Arterial-phase contrast-enhanced abdominal CT, axial slice 682 of 987 (counted from the lowest slice); tube voltage 120 kVp, convolution kernel I26f; slices 1.00 mm thick, 0.977 mm per pixel.
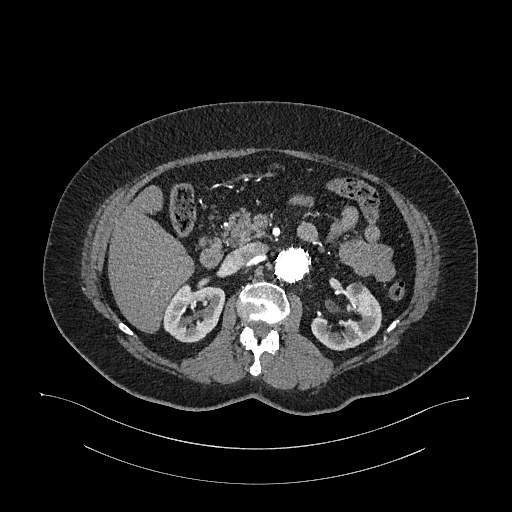
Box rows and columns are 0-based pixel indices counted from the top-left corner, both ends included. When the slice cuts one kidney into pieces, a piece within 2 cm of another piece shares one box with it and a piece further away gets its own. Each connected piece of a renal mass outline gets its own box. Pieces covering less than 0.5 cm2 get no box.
Boxed on this slice (two kidney boxes), listed by box centre from the image's left to its right: (1) Box rows 283–342, columns 163–225: right kidney (outlined area 2,707 px, about 25.8 cm2). (2) Box rows 282–350, columns 311–382: left kidney (outlined area 2,820 px, about 26.9 cm2). No renal mass is outlined on this slice.